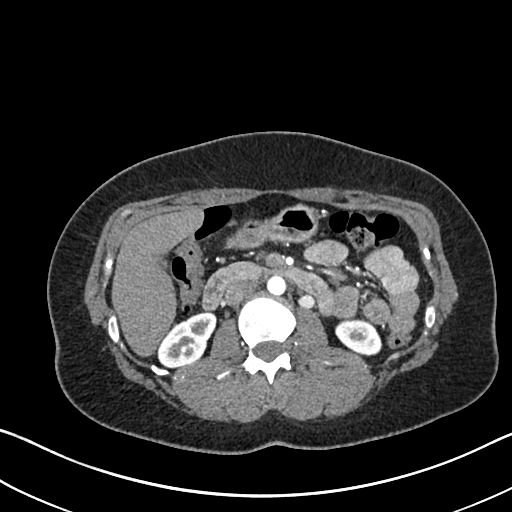
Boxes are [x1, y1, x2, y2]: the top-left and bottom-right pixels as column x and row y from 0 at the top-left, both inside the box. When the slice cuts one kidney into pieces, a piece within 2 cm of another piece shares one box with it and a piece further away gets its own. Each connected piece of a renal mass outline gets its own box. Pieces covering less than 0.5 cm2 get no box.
Arterial-phase contrast-enhanced abdominal CT, axial slice 387 of 612 (counted from the lowest slice); 1.00 mm thick, 0.703 mm per pixel. Boxed on this slice (two kidney boxes), listed by box centre from the image's left to its right: (1) Box [158, 311, 216, 368]: right kidney (outlined area 2,144 px, about 10.6 cm2). (2) Left kidney, box [335, 319, 382, 354] (outlined area 1,284 px, about 6.3 cm2). This slice carries no renal mass outline.
Acquired at 120 kVp and reconstructed with the I30f kernel.